Abdominal CT with intravenous contrast, arterial phase, axial plane, 120 kVp, kernel B30f. Slice 299/512 from the bottom of the scan; thickness 1.00 mm; pixel size 0.771 mm.
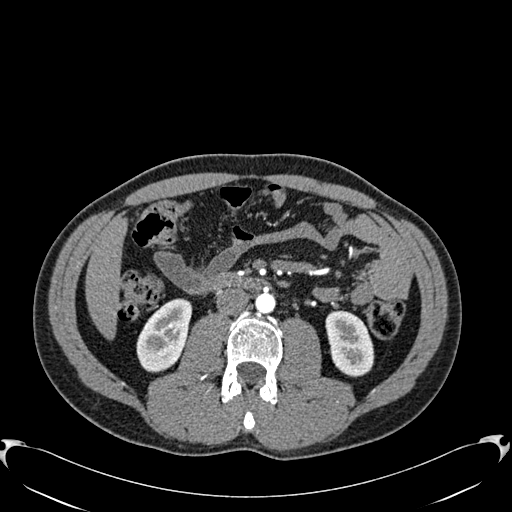
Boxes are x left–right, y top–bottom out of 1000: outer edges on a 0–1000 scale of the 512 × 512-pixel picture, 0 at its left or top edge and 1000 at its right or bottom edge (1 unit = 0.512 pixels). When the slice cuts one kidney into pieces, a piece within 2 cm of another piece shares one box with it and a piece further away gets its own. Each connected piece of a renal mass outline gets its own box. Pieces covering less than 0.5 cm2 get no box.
Boxed on this slice (two kidney boxes), listed by box centre from the image's left to its right: (1) Right kidney at x 266–377, y 582–729 out of 1000 (outlined area 2,906 px, about 17.3 cm2). (2) Left kidney at x 635–732, y 605–738 out of 1000 (outlined area 2,514 px, about 15.0 cm2). No renal mass is outlined on this slice.